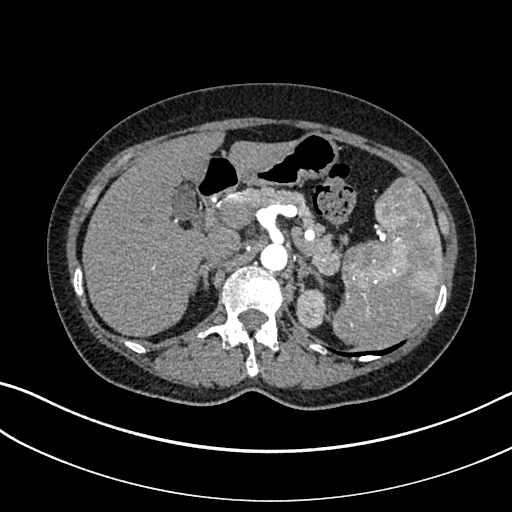
Arterial-phase contrast-enhanced abdominal CT, axial slice 246 of 325 (counted from the lowest slice); tube voltage 100 kVp, convolution kernel I30f; slices 1.00 mm thick, 0.703 mm per pixel.
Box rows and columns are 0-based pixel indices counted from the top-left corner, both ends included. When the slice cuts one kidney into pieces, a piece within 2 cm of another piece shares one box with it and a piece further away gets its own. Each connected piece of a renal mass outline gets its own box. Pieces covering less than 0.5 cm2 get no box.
Left kidney at rows 288–328, columns 296–327 (outlined area 1,036 px, about 5.1 cm2).